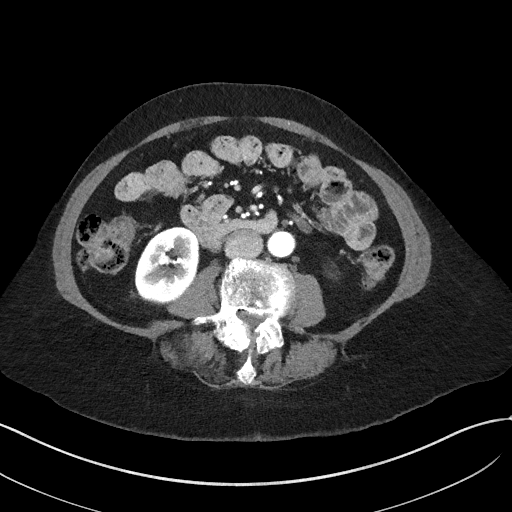
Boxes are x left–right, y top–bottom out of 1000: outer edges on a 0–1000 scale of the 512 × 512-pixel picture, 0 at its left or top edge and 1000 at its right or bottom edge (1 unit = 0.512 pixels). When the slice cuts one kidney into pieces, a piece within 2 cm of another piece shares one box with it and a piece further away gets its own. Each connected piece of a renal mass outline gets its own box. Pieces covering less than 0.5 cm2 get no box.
This is axial slice 11 of 50 (slice 1 is the lowest) of an arterial-phase abdominal CT with contrast; each pixel is 0.758 mm and the slice is 3.00 mm thick. Box x 262–387, y 443–592 out of 1000: right kidney (outlined area 3,686 px, about 21.2 cm2). No renal mass is outlined on this slice.
Tube voltage 100 kVp; convolution kernel I41f.